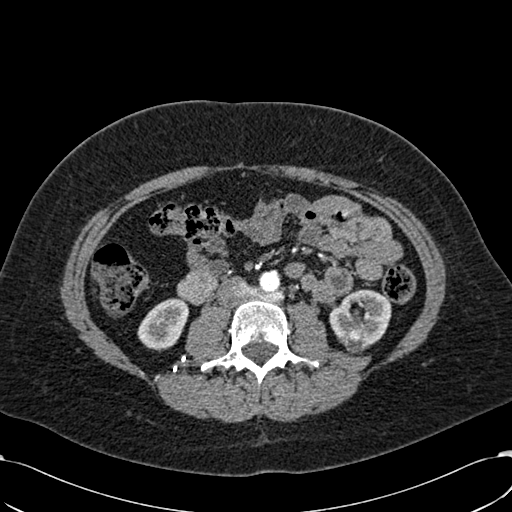
One axial slice (289 of 532, counting up from the lowest) of an arterial-phase abdominal CT acquired with 120 kVp, kernel B30f; each pixel is 0.713 mm and the slice is 1.00 mm thick.
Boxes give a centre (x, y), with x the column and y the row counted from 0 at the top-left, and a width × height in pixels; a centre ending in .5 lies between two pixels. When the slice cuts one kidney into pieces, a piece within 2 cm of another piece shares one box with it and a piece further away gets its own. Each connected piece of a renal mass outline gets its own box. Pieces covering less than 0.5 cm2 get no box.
Three boxes on this slice (two kidney boxes and one renal mass box), listed by box centre from the image's left to its right. (1) Right kidney, box centre (162.5, 324), 52 × 55 pixels (outlined area 1,937 px, about 9.8 cm2). (2) Left renal mass in a box with centre (354.5, 344.5), 26 × 18 pixels (outlined area 332 px, about 1.7 cm2). (3) Box centre (360, 318), 63 × 59 pixels: left kidney (outlined area 2,506 px, about 12.7 cm2).